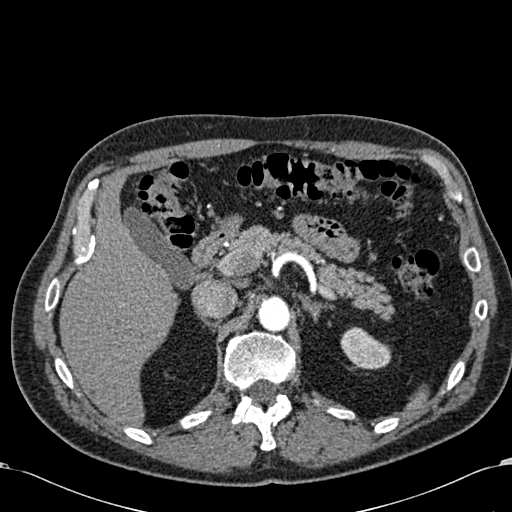
Arterial-phase contrast-enhanced abdominal CT, axial slice 439 of 581 (counted from the lowest slice); tube voltage 120 kVp, convolution kernel B30f; slices 1.00 mm thick, 0.713 mm per pixel.
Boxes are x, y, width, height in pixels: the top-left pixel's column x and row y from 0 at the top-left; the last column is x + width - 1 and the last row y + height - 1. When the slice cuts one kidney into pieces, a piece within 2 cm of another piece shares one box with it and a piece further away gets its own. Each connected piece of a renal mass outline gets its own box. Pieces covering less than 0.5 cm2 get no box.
Box x 340, y 326, width 52, height 44: left kidney (outlined area 1,524 px, about 7.7 cm2). This slice carries no renal mass outline.